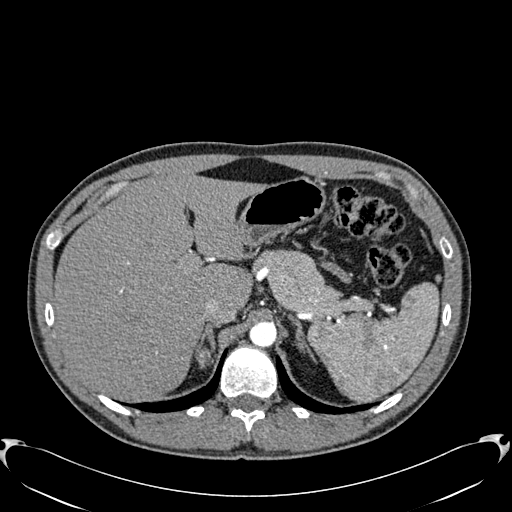
One axial slice (465 of 512, counting up from the lowest) of an arterial-phase abdominal CT acquired with 120 kVp, kernel B30f; each pixel is 0.771 mm and the slice is 1.00 mm thick.
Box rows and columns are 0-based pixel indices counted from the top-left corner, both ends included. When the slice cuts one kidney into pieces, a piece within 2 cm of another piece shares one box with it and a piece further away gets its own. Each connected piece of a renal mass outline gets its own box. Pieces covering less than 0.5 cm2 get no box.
Right renal mass, box rows 347–366, columns 197–212 (outlined area 247 px, about 1.5 cm2); no kidney outline appears on this slice, but the same outlined renal mass comes within 1 cm of the kidney on another slice.